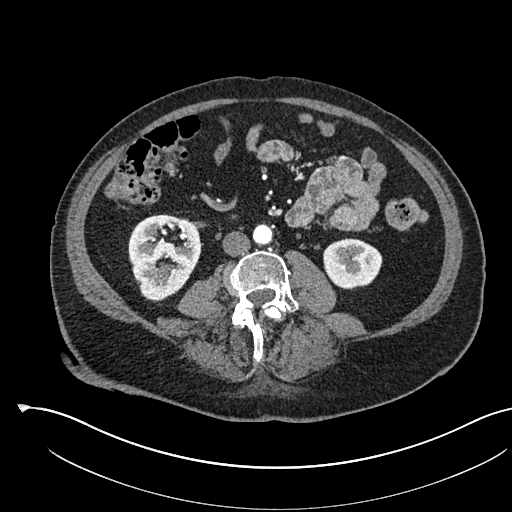
Abdominal CT with intravenous contrast, arterial phase, axial plane, 120 kVp, kernel I30f. Slice 244/541 from the bottom of the scan; thickness 1.00 mm; pixel size 0.834 mm.
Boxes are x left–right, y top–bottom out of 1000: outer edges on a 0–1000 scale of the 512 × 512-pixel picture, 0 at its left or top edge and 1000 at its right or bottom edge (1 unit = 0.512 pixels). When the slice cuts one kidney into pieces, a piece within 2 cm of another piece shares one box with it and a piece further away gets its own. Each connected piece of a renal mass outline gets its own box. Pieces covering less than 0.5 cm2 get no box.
Two boxes on this slice (two kidney boxes), listed by box centre from the image's left to its right. (1) Box x 250–393, y 418–590 out of 1000: right kidney (outlined area 4,754 px, about 33.1 cm2). (2) Left kidney at x 631–748, y 465–566 out of 1000 (outlined area 2,397 px, about 16.7 cm2). This slice carries no renal mass outline.